Abdominal CT with intravenous contrast, arterial phase, axial plane, 120 kVp, kernel B31f. Slice 48/68 from the bottom of the scan; thickness 5.00 mm; pixel size 0.961 mm.
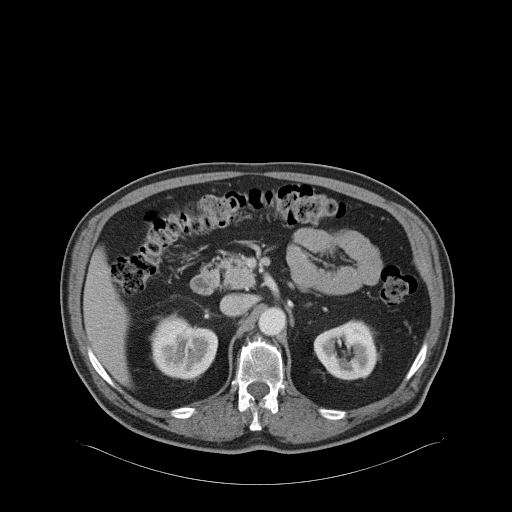
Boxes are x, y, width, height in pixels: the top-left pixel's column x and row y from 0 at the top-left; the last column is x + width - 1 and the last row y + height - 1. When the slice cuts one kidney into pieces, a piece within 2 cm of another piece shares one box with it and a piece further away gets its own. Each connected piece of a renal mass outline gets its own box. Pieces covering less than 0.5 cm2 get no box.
Two kidney boxes on this slice; by box centre, from the image's left to its right: (1) Box x 149, y 314, width 70, height 65: right kidney (outlined area 3,349 px, about 30.9 cm2). (2) Left kidney, box x 313, y 319, width 65, height 62 (outlined area 2,934 px, about 27.1 cm2). No renal mass outline on this slice.